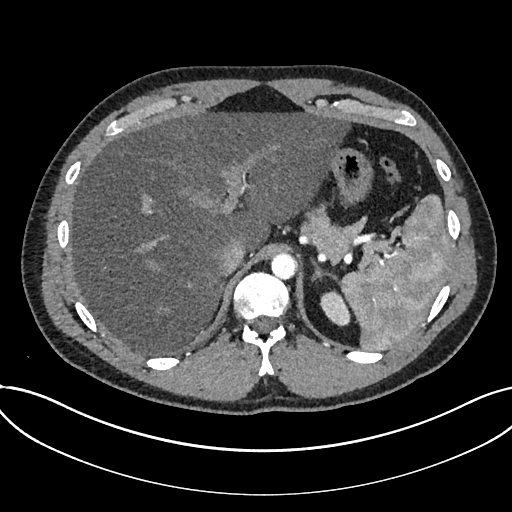
Abdominal CT with intravenous contrast, arterial phase, axial plane, 120 kVp, kernel I30f. Slice 587/735 from the bottom of the scan; thickness 1.00 mm; pixel size 0.789 mm.
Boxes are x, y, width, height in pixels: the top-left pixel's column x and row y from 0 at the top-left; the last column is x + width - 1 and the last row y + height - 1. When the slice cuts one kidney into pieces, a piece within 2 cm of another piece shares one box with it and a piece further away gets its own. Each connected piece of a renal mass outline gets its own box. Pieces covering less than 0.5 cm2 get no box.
Box x 320, y 290, width 31, height 37: kidney (outlined area 766 px, about 4.8 cm2). This slice carries no renal mass outline.